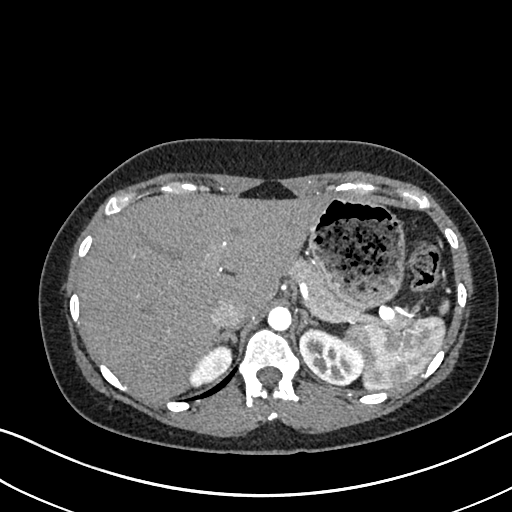
Arterial-phase contrast-enhanced abdominal CT, axial slice 536 of 612 (counted from the lowest slice); tube voltage 120 kVp, convolution kernel I30f; slices 1.00 mm thick, 0.703 mm per pixel.
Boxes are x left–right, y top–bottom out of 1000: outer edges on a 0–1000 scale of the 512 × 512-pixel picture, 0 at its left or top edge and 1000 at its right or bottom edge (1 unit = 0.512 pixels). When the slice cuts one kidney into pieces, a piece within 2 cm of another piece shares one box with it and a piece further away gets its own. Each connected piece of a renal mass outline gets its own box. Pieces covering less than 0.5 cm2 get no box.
Two boxes on this slice (two kidney boxes), listed by box centre from the image's left to its right. (1) Right kidney at x 367–455, y 672–756 out of 1000 (outlined area 1,172 px, about 5.8 cm2). (2) Left kidney, box x 584–713, y 637–752 out of 1000 (outlined area 2,642 px, about 13.1 cm2). This slice carries no renal mass outline.